Axial slice 57 of 274 of a contrast-enhanced abdominal CT in the arterial phase (slice 1 is the lowest), 120 kVp, kernel B30f; 2.00 mm slice thickness and 0.809 mm pixels.
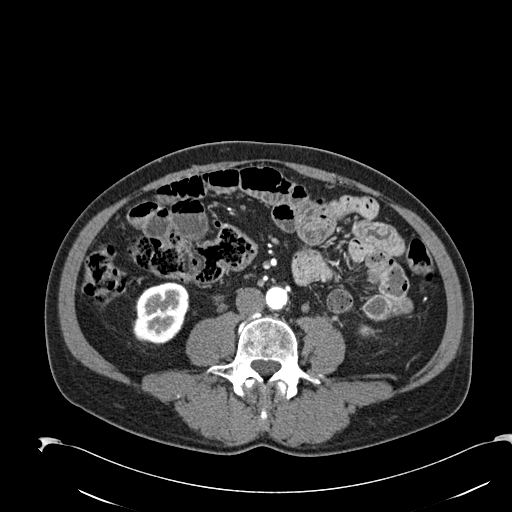
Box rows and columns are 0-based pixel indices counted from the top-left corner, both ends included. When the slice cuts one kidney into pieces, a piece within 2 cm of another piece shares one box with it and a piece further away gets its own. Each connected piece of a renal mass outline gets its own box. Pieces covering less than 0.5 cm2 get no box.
Right kidney at rows 282–343, columns 132–189 (outlined area 2,723 px, about 17.8 cm2). No renal mass is outlined on this slice.